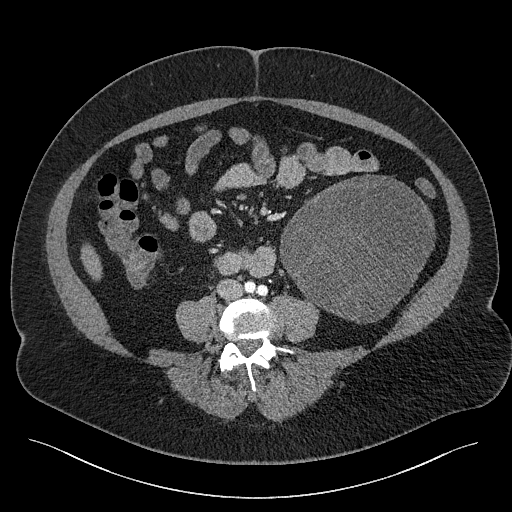
Contrast-enhanced abdominal CT, axial slice 72 of 301 (counted from the lowest slice); tube voltage 120 kVp, convolution kernel I40f; slices 2.00 mm thick, 0.859 mm per pixel.
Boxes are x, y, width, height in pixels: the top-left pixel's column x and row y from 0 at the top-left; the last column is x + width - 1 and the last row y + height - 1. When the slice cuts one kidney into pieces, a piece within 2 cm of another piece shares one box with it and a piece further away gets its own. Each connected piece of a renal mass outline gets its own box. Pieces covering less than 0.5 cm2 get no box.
Left renal mass, box x 280, y 174, width 156, height 150 (outlined area 16,761 px, about 123.8 cm2); no kidney is outlined on this slice, but the same outlined renal mass comes within 1 cm of the kidney on another slice.